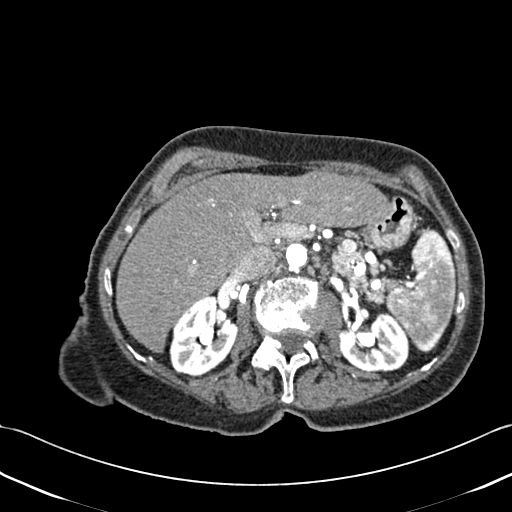
Abdominal CT with intravenous contrast, axial plane, 120 kVp, kernel B30f. Slice 286/433 from the bottom of the scan; thickness 1.00 mm; pixel size 0.672 mm.
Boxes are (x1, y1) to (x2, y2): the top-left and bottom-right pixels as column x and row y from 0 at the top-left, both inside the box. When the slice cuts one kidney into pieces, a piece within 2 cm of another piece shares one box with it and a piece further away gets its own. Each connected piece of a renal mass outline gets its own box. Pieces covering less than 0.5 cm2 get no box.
Boxed on this slice (two kidney boxes), listed by box centre from the image's left to its right: (1) Box (169, 295) to (237, 377): right kidney (outlined area 3,977 px, about 18.0 cm2). (2) Left kidney, box (338, 312) to (409, 372) (outlined area 3,241 px, about 14.6 cm2). No renal mass is outlined on this slice.